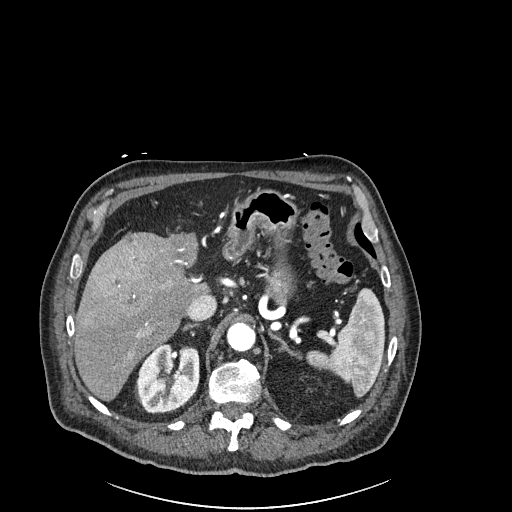
One axial slice (170 of 261, counting up from the lowest) of an arterial-phase abdominal CT acquired with 120 kVp, kernel I30f; each pixel is 0.939 mm and the slice is 2.00 mm thick.
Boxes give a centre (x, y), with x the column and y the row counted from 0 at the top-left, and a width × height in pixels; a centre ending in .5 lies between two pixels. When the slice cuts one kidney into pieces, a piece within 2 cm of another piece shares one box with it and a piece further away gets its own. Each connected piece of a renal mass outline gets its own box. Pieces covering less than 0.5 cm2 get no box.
Right kidney in a box with centre (167.5, 378), 64 × 71 pixels (outlined area 3,504 px, about 30.9 cm2). No renal mass outline on this slice.